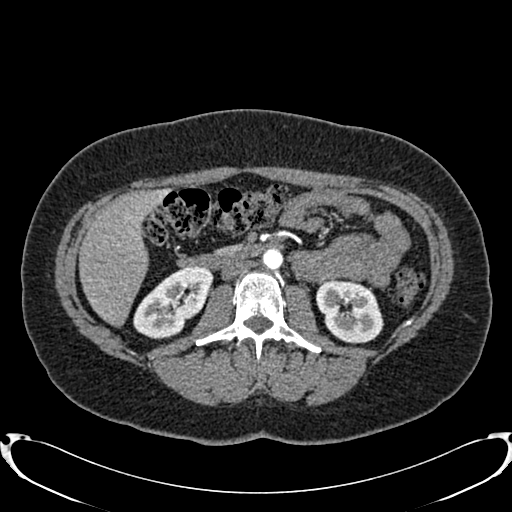
Arterial-phase contrast-enhanced abdominal CT, axial slice 431 of 719 (counted from the lowest slice); tube voltage 120 kVp, convolution kernel B20f; slices 1.00 mm thick, 0.766 mm per pixel.
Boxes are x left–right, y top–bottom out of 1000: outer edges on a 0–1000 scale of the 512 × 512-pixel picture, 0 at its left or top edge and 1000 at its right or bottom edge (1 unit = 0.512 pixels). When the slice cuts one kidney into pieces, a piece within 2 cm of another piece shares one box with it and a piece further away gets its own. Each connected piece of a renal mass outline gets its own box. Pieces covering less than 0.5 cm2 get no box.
Boxed on this slice (two kidney boxes), listed by box centre from the image's left to its right: (1) Right kidney, box x 260–418, y 520–664 out of 1000 (outlined area 3,722 px, about 21.8 cm2). (2) Box x 617–750, y 543–670 out of 1000: left kidney (outlined area 3,266 px, about 19.1 cm2). No renal mass is outlined on this slice.